Abdominal CT with intravenous contrast, axial plane, 100 kVp, kernel I41f. Slice 76/143 from the bottom of the scan; thickness 5.00 mm; pixel size 0.734 mm.
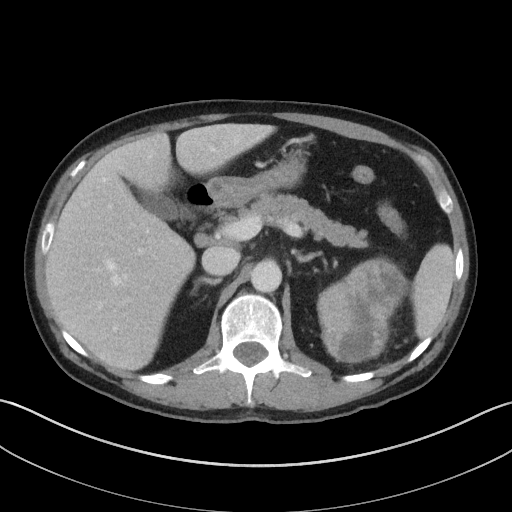
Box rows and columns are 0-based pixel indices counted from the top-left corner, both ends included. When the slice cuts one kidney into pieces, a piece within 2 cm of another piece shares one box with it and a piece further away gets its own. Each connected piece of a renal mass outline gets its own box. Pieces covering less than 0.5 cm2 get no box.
Box rows 257–365, columns 317–409: left renal mass (outlined area 6,871 px, about 37.1 cm2); no kidney is outlined on this slice, but the same outlined renal mass comes within 1 cm of the kidney on another slice.